One axial slice (323 of 591, counting up from the lowest) of an arterial-phase abdominal CT acquired with 140 kVp, kernel I30f; each pixel is 0.703 mm and the slice is 1.00 mm thick.
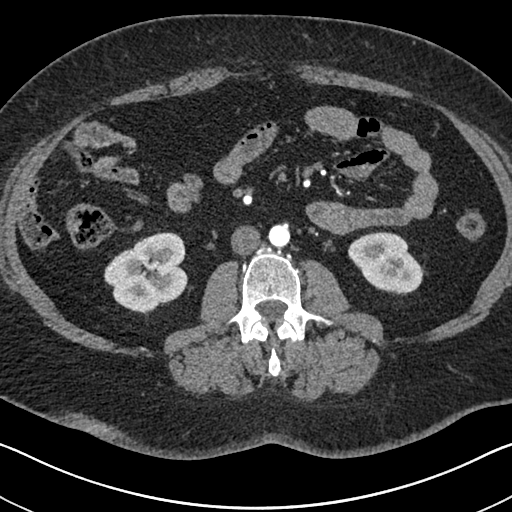
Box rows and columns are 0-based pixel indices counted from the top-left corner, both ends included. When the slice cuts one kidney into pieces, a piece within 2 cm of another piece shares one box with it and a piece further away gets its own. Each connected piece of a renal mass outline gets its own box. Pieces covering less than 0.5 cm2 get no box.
Boxed on this slice (two kidney boxes), listed by box centre from the image's left to its right: (1) Box rows 232–315, columns 104–187: right kidney (outlined area 4,916 px, about 24.3 cm2). (2) Box rows 232–295, columns 348–424: left kidney (outlined area 3,359 px, about 16.6 cm2). This slice carries no renal mass outline.